One axial slice (257 of 1059, counting up from the lowest) of an arterial-phase abdominal CT acquired with 100 kVp, kernel I30f; each pixel is 0.811 mm and the slice is 1.00 mm thick.
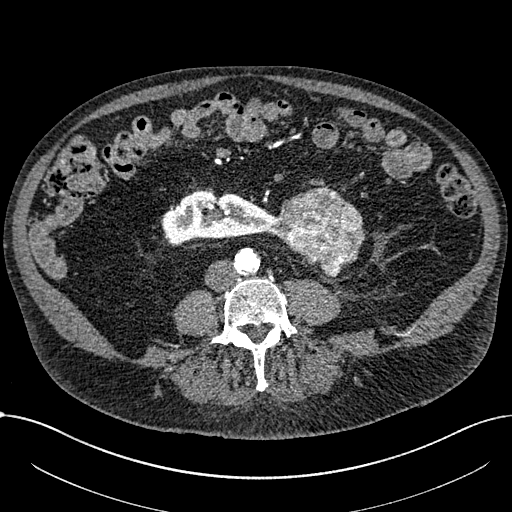
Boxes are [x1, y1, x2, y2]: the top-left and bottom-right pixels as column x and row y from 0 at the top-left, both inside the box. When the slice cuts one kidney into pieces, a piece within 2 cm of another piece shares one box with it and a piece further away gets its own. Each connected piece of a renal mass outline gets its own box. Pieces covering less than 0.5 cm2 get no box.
Two boxes on this slice (one kidney box and one renal mass box), listed by box centre from the image's left to its right. (1) Right part of the midline-crossing kidney, box [161, 190, 274, 244] (outlined area 4,288 px, about 28.2 cm2). (2) Renal mass at [271, 186, 365, 277] (outlined area 5,573 px, about 36.6 cm2).